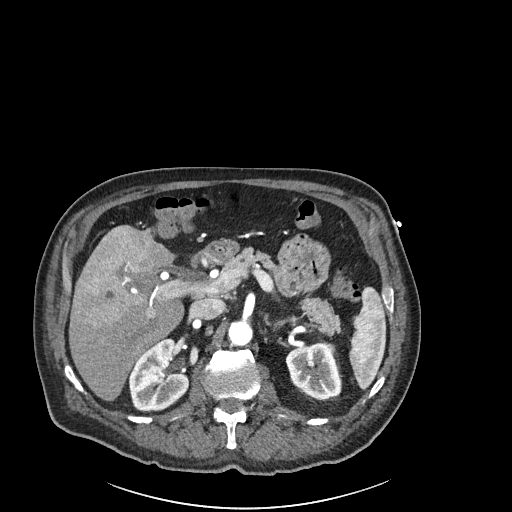
Axial slice 141 of 261 of a contrast-enhanced abdominal CT in the arterial phase (slice 1 is the lowest), 120 kVp, kernel I30f; 2.00 mm slice thickness and 0.939 mm pixels.
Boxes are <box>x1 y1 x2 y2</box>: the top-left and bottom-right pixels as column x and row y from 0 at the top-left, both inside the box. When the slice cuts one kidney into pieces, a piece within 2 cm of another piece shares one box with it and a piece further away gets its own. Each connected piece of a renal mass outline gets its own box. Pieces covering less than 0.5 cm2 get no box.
Boxed on this slice (two kidney boxes), listed by box centre from the image's left to its right: (1) At <box>128 338 189 411</box>: right kidney (outlined area 3,311 px, about 29.2 cm2). (2) Left kidney at <box>285 343 341 400</box> (outlined area 2,375 px, about 21.0 cm2). This slice carries no renal mass outline.